Abdominal CT with intravenous contrast, arterial phase, axial plane, 120 kVp, kernel I40f. Slice 64/96 from the bottom of the scan; thickness 5.00 mm; pixel size 0.840 mm.
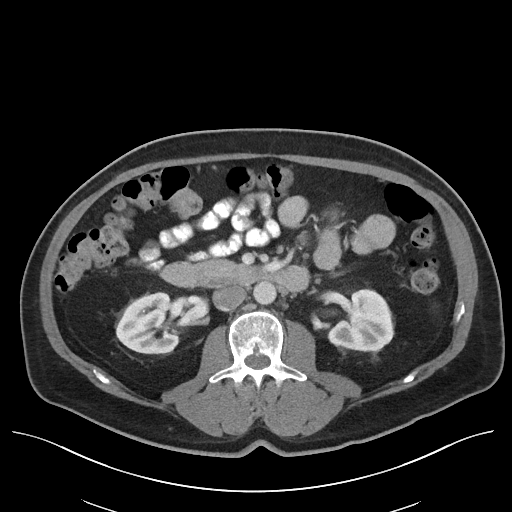
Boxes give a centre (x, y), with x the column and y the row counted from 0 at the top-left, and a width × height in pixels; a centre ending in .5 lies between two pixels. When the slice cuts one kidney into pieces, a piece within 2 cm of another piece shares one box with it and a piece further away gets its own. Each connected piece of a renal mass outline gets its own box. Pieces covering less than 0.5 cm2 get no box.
Two kidney boxes on this slice; by box centre, from the image's left to its right: (1) Right kidney, box centre (147.5, 322.5), 64 × 62 pixels (outlined area 3,005 px, about 21.2 cm2). (2) Left kidney in a box with centre (360.5, 320), 66 × 63 pixels (outlined area 2,957 px, about 20.9 cm2). No renal mass outline on this slice.